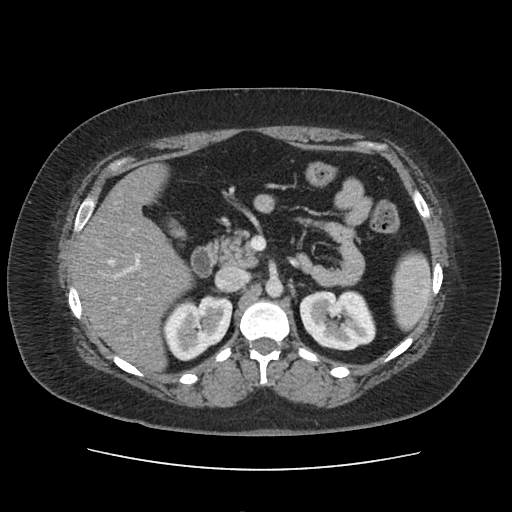
Abdominal CT with intravenous contrast, arterial phase, axial plane, 120 kVp, kernel FC19. Slice 75/103 from the bottom of the scan; thickness 5.00 mm; pixel size 0.873 mm.
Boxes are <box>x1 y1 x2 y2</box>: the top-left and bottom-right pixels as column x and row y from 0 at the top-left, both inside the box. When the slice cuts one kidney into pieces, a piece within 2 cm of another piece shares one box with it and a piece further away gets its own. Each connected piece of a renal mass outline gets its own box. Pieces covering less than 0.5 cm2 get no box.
Two kidney boxes on this slice; by box centre, from the image's left to its right: (1) Right kidney: <box>162 295 232 361</box> (outlined area 3,292 px, about 25.1 cm2). (2) At <box>299 290 376 350</box>: left kidney (outlined area 3,702 px, about 28.2 cm2). No renal mass outline on this slice.